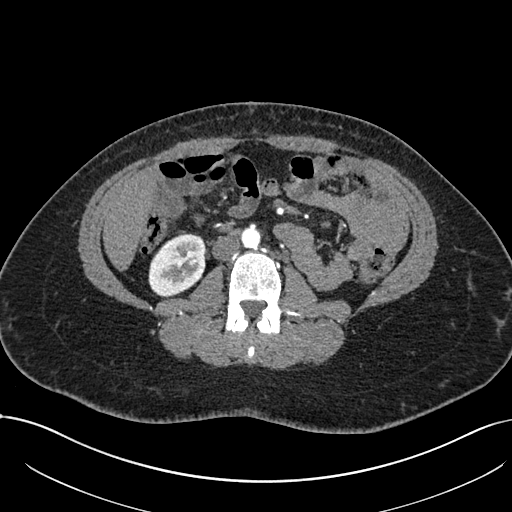
Arterial-phase contrast-enhanced abdominal CT, axial slice 352 of 738 (counted from the lowest slice); tube voltage 120 kVp, convolution kernel I30f; slices 1.00 mm thick, 0.789 mm per pixel.
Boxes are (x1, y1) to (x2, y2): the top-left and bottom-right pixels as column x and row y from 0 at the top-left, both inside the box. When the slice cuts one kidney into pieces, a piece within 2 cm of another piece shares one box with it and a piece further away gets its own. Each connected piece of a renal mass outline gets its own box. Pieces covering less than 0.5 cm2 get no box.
Right kidney from (148, 234) to (205, 296) (outlined area 2,797 px, about 17.4 cm2). No renal mass outline on this slice.